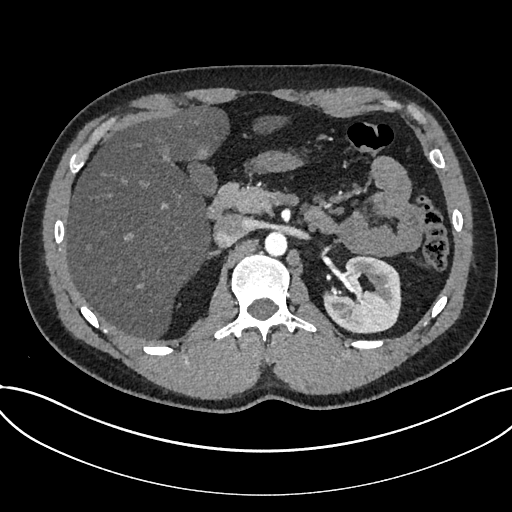
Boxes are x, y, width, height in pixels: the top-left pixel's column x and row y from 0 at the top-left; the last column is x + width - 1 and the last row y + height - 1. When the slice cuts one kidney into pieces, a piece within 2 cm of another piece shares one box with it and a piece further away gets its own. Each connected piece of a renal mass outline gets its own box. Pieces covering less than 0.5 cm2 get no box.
Arterial-phase contrast-enhanced abdominal CT, axial slice 481 of 735 (counted from the lowest slice); 1.00 mm thick, 0.789 mm per pixel. Kidney at x 323, y 254, width 79, height 80 (outlined area 4,595 px, about 28.6 cm2). This slice carries no renal mass outline.
Tube voltage 120 kVp; convolution kernel I30f.